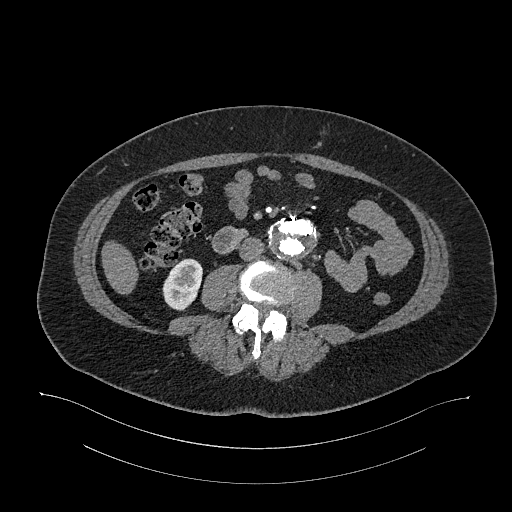
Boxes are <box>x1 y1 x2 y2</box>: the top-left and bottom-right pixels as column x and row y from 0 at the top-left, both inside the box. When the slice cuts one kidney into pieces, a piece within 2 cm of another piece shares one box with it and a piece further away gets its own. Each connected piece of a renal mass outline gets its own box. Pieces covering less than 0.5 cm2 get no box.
Slice 550/987 of a contrast-enhanced abdominal CT in the arterial phase, counting up from the lowest; pixel size 0.977 mm, slice thickness 1.00 mm. Right kidney: <box>162 258 202 310</box> (outlined area 1,563 px, about 14.9 cm2). No renal mass outline on this slice.
Tube voltage 120 kVp; convolution kernel I26f.